Abdominal CT with intravenous contrast, axial plane, 140 kVp, kernel I30f. Slice 495/834 from the bottom of the scan; thickness 1.00 mm; pixel size 0.977 mm.
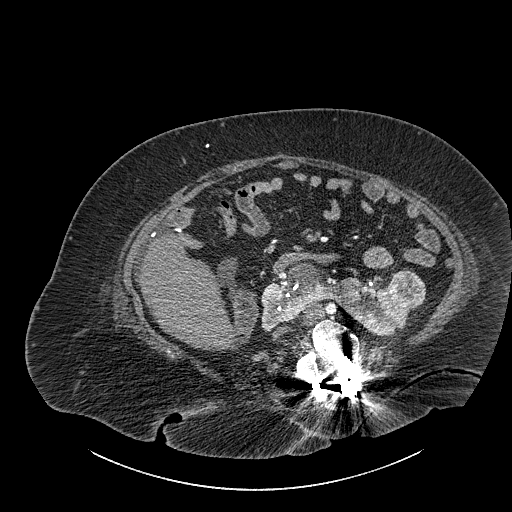
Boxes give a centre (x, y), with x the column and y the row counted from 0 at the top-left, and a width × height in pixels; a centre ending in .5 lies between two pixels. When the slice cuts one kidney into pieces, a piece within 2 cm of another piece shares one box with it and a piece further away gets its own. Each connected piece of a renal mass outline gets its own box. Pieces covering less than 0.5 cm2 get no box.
Two boxes on this slice (one kidney box and one renal mass box), listed by box centre from the image's left to its right. (1) Kidney crossing the body midline in a box with centre (339, 299), 157 × 75 pixels (outlined area 5,579 px, about 53.2 cm2). (2) Renal mass in a box with centre (407, 288), 39 × 41 pixels (outlined area 1,202 px, about 11.5 cm2).